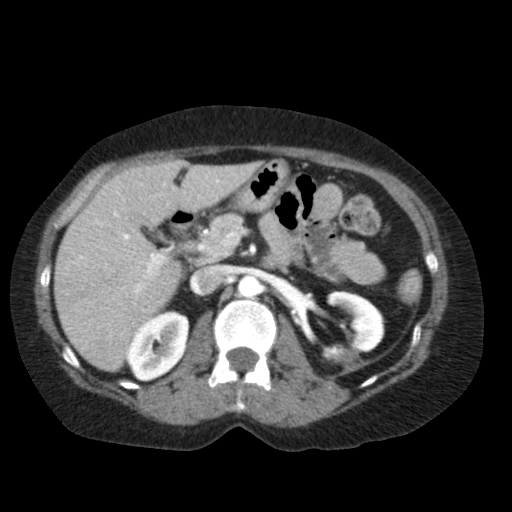
Abdominal CT with intravenous contrast, arterial phase, axial plane, 120 kVp, kernel FC11. Slice 61/79 from the bottom of the scan; thickness 5.00 mm; pixel size 0.686 mm.
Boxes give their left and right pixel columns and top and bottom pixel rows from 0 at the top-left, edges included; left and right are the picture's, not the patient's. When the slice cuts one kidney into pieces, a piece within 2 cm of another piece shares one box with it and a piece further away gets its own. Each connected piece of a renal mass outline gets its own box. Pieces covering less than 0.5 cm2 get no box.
Two boxes on this slice (two kidney boxes), listed by box centre from the image's left to its right. (1) Right kidney in the box with left 125, top 310, right 189, bottom 381 (outlined area 3,223 px, about 15.2 cm2). (2) Left kidney, the box with left 321, top 290, right 384, bottom 364 (outlined area 2,992 px, about 14.1 cm2). No renal mass is outlined on this slice.